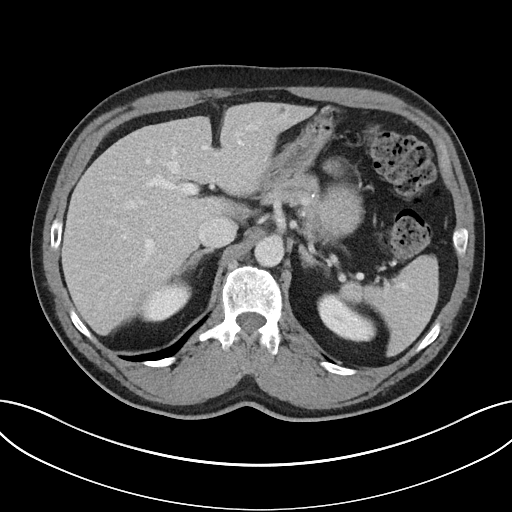
Abdominal CT with intravenous contrast, arterial phase, axial plane, 100 kVp, kernel I40f. Slice 26/32 from the bottom of the scan; thickness 5.00 mm; pixel size 0.779 mm.
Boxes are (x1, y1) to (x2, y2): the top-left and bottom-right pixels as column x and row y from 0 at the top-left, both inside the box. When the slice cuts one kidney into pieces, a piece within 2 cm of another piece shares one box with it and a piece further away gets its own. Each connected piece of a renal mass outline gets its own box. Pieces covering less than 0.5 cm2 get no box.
Boxed on this slice (two kidney boxes), listed by box centre from the image's left to its right: (1) Box (139, 277) to (191, 322): right kidney (outlined area 1,619 px, about 9.8 cm2). (2) Left kidney, box (317, 292) to (376, 342) (outlined area 1,886 px, about 11.5 cm2). No renal mass is outlined on this slice.